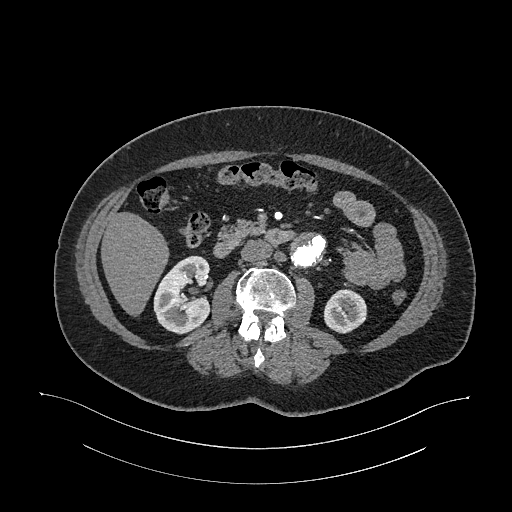
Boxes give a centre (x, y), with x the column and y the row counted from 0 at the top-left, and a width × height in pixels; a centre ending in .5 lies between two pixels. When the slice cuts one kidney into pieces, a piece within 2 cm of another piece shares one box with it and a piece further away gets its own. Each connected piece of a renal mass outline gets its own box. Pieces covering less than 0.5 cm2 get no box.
This is axial slice 609 of 987 (slice 1 is the lowest) of an arterial-phase abdominal CT with contrast; each pixel is 0.977 mm and the slice is 1.00 mm thick. Two kidney boxes on this slice; by box centre, from the image's left to its right: (1) Box centre (181.5, 294.5), 58 × 80 pixels: right kidney (outlined area 3,391 px, about 32.3 cm2). (2) Left kidney in a box with centre (344.5, 311), 44 × 45 pixels (outlined area 1,501 px, about 14.3 cm2). This slice carries no renal mass outline.
Tube voltage 120 kVp; convolution kernel I26f.